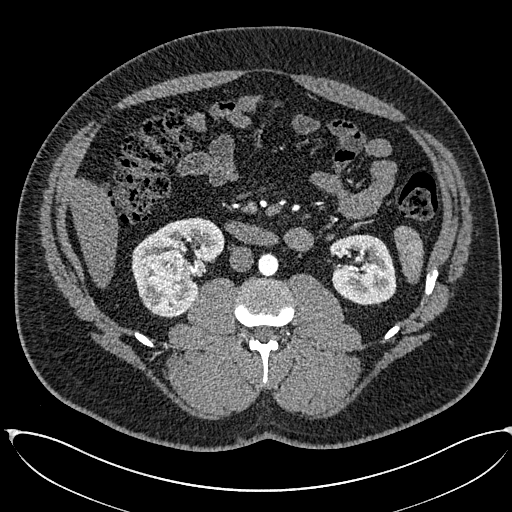
Axial slice 307 of 673 of a contrast-enhanced abdominal CT in the arterial phase (slice 1 is the lowest), 120 kVp, kernel I30f; 1.00 mm slice thickness and 0.855 mm pixels.
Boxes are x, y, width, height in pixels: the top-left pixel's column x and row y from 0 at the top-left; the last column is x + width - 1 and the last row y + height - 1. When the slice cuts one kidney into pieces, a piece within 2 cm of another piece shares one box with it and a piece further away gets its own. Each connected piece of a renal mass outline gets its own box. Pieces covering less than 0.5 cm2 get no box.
Boxed on this slice (two kidney boxes and one renal mass box), listed by box centre from the image's left to its right: (1) Box x 147, y 251, width 45, height 61: right renal mass (outlined area 2,216 px, about 16.2 cm2). (2) Box x 131, y 217, width 94, height 100: right kidney (outlined area 4,155 px, about 30.4 cm2). (3) Left kidney at x 329, y 234, width 68, height 72 (outlined area 3,756 px, about 27.5 cm2).